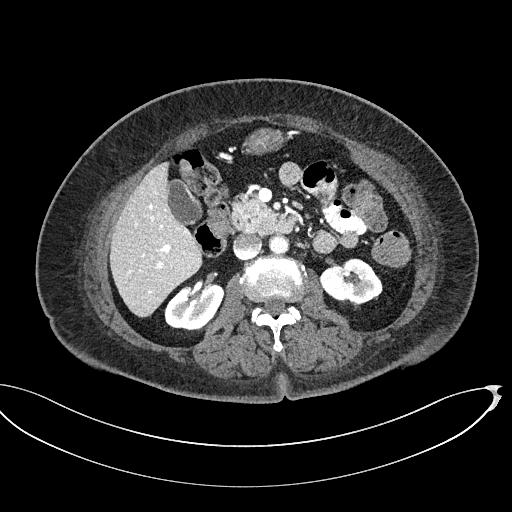
One axial slice (289 of 439, counting up from the lowest) of a contrast-enhanced abdominal CT acquired with 100 kVp, kernel I40f; each pixel is 0.850 mm and the slice is 2.00 mm thick.
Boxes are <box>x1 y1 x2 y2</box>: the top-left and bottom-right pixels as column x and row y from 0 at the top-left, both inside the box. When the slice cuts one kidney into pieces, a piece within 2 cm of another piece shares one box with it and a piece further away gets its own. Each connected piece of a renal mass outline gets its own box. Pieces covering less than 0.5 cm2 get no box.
Two kidney boxes on this slice; by box centre, from the image's left to its right: (1) At <box>164 283 224 330</box>: right kidney (outlined area 2,092 px, about 15.1 cm2). (2) Left kidney at <box>320 257 382 309</box> (outlined area 2,175 px, about 15.7 cm2). This slice carries no renal mass outline.